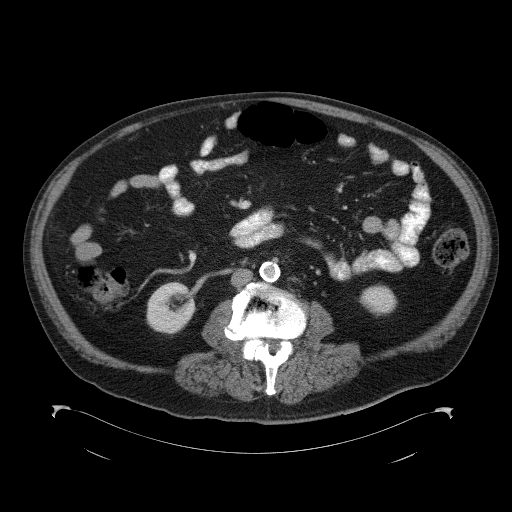
Axial slice 48 of 98 of a contrast-enhanced abdominal CT (slice 1 is the lowest), 120 kVp, kernel B41f; 5.00 mm slice thickness and 0.965 mm pixels.
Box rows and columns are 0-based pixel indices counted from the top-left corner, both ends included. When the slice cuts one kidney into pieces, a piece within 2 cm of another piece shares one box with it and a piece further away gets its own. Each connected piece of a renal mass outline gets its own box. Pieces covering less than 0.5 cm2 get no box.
Two kidney boxes on this slice; by box centre, from the image's left to its right: (1) Right kidney at rows 282–334, columns 146–195 (outlined area 1,993 px, about 18.6 cm2). (2) Box rows 284–315, columns 359–397: left kidney (outlined area 871 px, about 8.1 cm2). No renal mass outline on this slice.